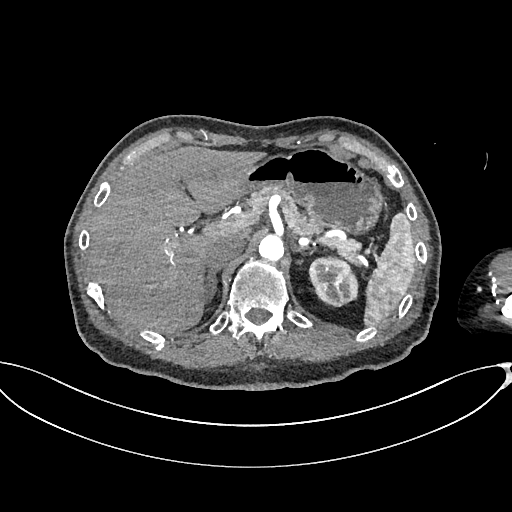
Axial slice 494 of 665 of a contrast-enhanced abdominal CT in the arterial phase (slice 1 is the lowest), 100 kVp, kernel I26f; 1.00 mm slice thickness and 0.828 mm pixels.
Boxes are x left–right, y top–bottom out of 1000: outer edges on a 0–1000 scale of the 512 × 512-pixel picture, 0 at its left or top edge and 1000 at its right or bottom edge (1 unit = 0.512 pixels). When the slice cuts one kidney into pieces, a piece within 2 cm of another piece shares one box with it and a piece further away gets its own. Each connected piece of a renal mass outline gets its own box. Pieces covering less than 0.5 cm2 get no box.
Left kidney, box x 602–701, y 498–600 out of 1000 (outlined area 2,000 px, about 13.7 cm2). No renal mass is outlined on this slice.